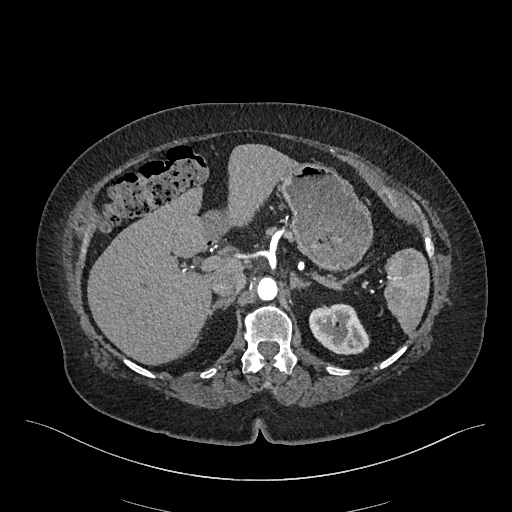
Abdominal CT with intravenous contrast, arterial phase, axial plane, 120 kVp, kernel I26f. Slice 330/548 from the bottom of the scan; thickness 1.00 mm; pixel size 0.852 mm.
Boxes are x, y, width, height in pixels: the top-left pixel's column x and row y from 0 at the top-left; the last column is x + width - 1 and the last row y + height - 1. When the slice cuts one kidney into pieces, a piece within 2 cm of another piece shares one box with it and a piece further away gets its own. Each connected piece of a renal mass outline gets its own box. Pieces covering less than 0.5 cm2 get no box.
Box x 309, y 303, width 61, height 52: left kidney (outlined area 2,340 px, about 17.0 cm2). No renal mass is outlined on this slice.